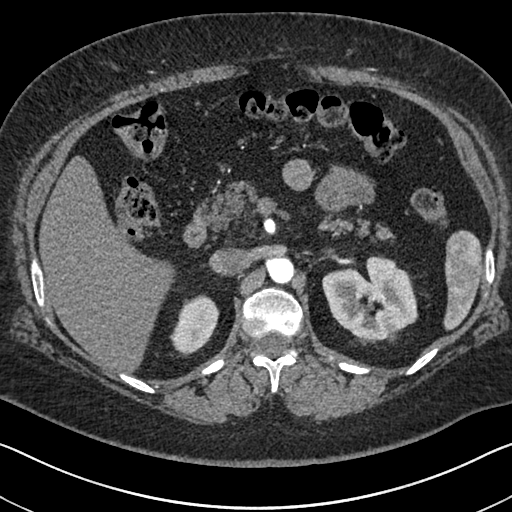
One axial slice (457 of 591, counting up from the lowest) of an arterial-phase abdominal CT acquired with 140 kVp, kernel I30f; each pixel is 0.703 mm and the slice is 1.00 mm thick.
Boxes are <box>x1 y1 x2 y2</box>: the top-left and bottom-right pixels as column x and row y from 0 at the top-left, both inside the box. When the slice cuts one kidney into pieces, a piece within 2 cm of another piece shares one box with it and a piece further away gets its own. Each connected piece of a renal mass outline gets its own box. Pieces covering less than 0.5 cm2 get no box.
Boxed on this slice (two kidney boxes), listed by box centre from the image's left to its right: (1) Right kidney: <box>169 294 219 354</box> (outlined area 2,032 px, about 10.0 cm2). (2) Left kidney at <box>322 255 417 340</box> (outlined area 5,788 px, about 28.6 cm2).